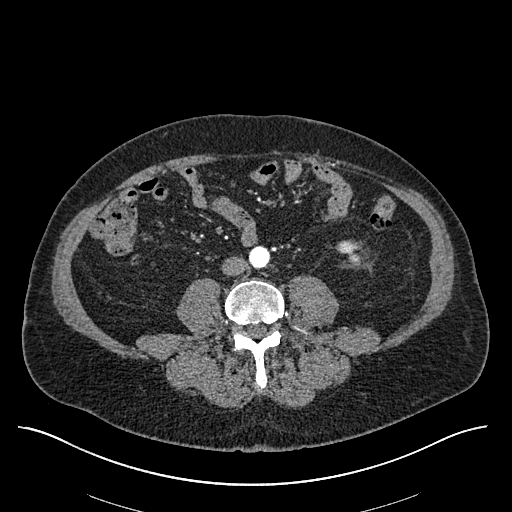
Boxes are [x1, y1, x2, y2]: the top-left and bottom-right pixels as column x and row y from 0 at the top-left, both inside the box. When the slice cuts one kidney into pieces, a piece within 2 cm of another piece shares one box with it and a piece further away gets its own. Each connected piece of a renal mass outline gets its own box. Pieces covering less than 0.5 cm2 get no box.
Slice 202/670 of a contrast-enhanced abdominal CT in the arterial phase, counting up from the lowest; pixel size 0.861 mm, slice thickness 1.00 mm. Box [341, 243, 359, 260]: left kidney (outlined area 213 px, about 1.6 cm2). No renal mass outline on this slice.
Scan settings: 120 kVp, I30f reconstruction kernel.